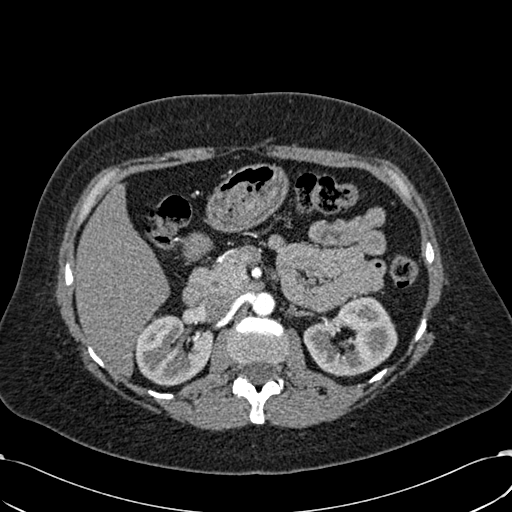
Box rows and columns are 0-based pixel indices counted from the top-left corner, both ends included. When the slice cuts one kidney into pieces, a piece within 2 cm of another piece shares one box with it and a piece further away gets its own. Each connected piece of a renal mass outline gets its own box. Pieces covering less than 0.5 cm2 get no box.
This is axial slice 391 of 532 (slice 1 is the lowest) of an arterial-phase abdominal CT with contrast; each pixel is 0.713 mm and the slice is 1.00 mm thick. Two boxes on this slice (two kidney boxes), listed by box centre from the image's left to its right. (1) Right kidney at rows 315–386, columns 134–213 (outlined area 4,146 px, about 21.1 cm2). (2) Left kidney, box rows 296–376, columns 303–397 (outlined area 5,062 px, about 25.7 cm2). No renal mass outline on this slice.
Scan settings: 120 kVp, B30f reconstruction kernel.